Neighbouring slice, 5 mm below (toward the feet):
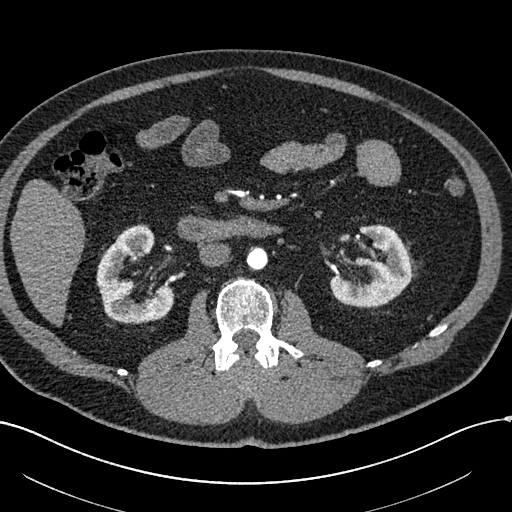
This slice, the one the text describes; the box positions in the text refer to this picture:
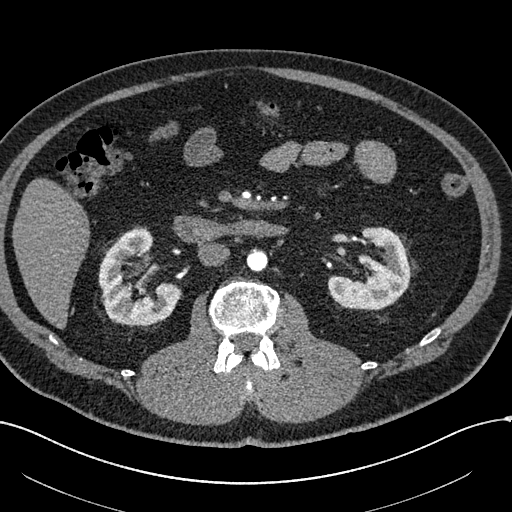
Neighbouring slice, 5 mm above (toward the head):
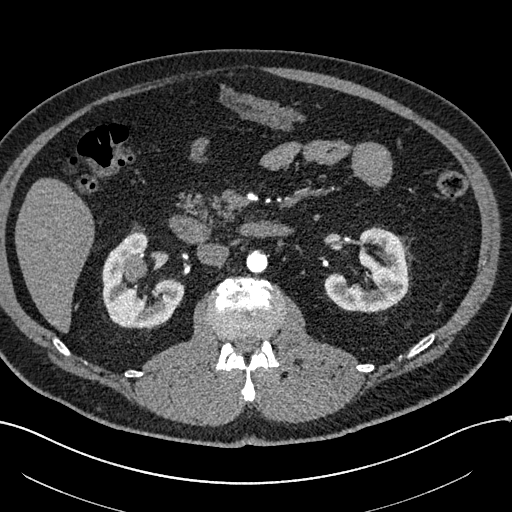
One axial slice (323 of 602, counting up from the lowest) of an arterial-phase abdominal CT acquired with 120 kVp, kernel I30f; each pixel is 0.799 mm and the slice is 1.00 mm thick.
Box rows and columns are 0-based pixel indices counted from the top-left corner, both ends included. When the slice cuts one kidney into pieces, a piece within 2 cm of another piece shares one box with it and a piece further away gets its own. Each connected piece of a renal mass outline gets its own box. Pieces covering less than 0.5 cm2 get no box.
Three boxes on this slice (two kidney boxes and one renal mass box), listed by box centre from the image's left to its right. (1) Right renal mass at rows 263–275, columns 133–141 (outlined area 90 px, about 0.6 cm2). (2) Box rows 228–325, columns 98–181: right kidney (outlined area 5,091 px, about 32.5 cm2). (3) Left kidney, box rows 227–309, columns 328–410 (outlined area 4,392 px, about 28.0 cm2). This slice is near the end of the right renal mass toward the feet, so the slices 5 mm below and 5 mm above it are shown as well; the boxes refer to this slice only.